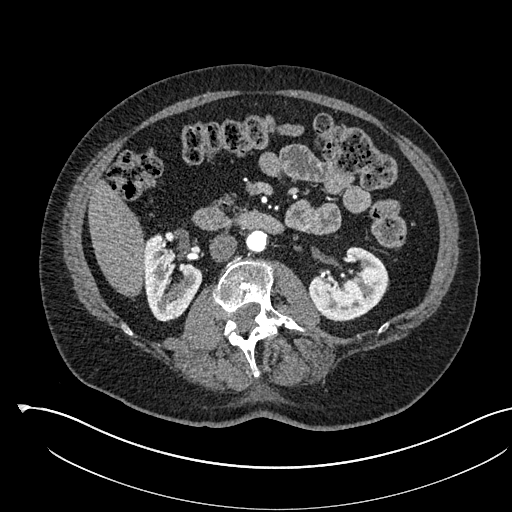
Abdominal CT with intravenous contrast, arterial phase, axial plane, 120 kVp, kernel I30f. Slice 299/541 from the bottom of the scan; thickness 1.00 mm; pixel size 0.834 mm.
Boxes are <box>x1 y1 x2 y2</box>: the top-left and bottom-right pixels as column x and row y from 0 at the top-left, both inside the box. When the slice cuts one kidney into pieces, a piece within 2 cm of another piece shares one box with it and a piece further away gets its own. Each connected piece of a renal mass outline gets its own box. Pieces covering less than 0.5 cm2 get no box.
Two boxes on this slice (two kidney boxes), listed by box centre from the image's left to its right. (1) Right kidney at <box>143 233 202 321</box> (outlined area 3,512 px, about 24.4 cm2). (2) At <box>308 246 388 319</box>: left kidney (outlined area 3,952 px, about 27.5 cm2). This slice carries no renal mass outline.